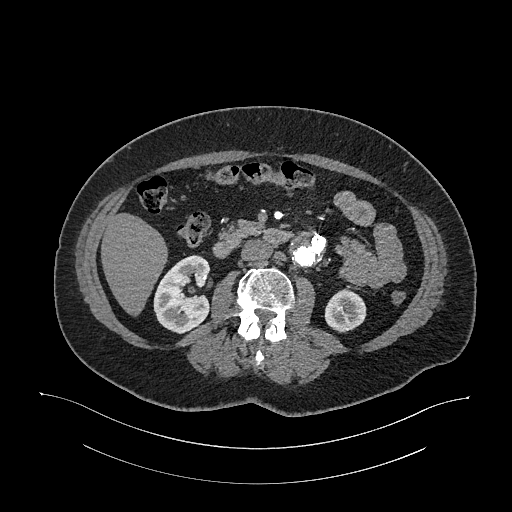
Arterial-phase contrast-enhanced abdominal CT, axial slice 606 of 987 (counted from the lowest slice); tube voltage 120 kVp, convolution kernel I26f; slices 1.00 mm thick, 0.977 mm per pixel.
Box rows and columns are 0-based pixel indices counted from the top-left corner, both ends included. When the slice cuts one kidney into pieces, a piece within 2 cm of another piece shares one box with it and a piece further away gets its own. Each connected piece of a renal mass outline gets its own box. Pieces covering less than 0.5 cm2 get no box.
Two kidney boxes on this slice; by box centre, from the image's left to its right: (1) Box rows 255–333, columns 153–210: right kidney (outlined area 3,329 px, about 31.7 cm2). (2) Box rows 288–332, columns 324–366: left kidney (outlined area 1,405 px, about 13.4 cm2). No renal mass is outlined on this slice.